Axial slice 105 of 274 of a contrast-enhanced abdominal CT in the arterial phase (slice 1 is the lowest), 120 kVp, kernel B30f; 2.00 mm slice thickness and 0.809 mm pixels.
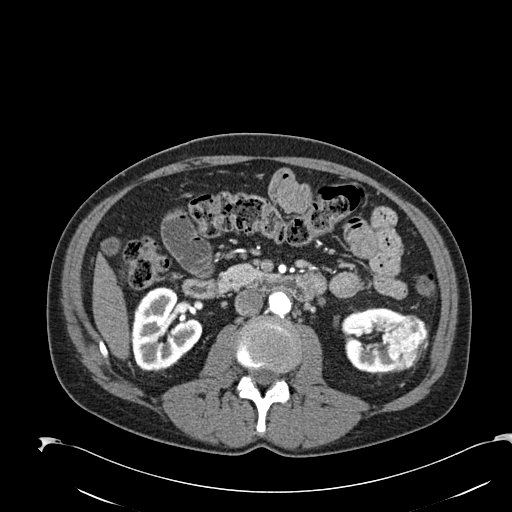
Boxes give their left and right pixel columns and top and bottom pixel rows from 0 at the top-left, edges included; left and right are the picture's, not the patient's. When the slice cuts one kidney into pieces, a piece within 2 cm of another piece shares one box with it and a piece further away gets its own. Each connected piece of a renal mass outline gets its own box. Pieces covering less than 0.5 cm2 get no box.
Boxed on this slice (two kidney boxes and one renal mass box), listed by box centre from the image's left to its right: (1) Box with left 131, top 287, right 202, bottom 371: right kidney (outlined area 4,295 px, about 28.1 cm2). (2) Left kidney, the box with left 342, top 307, right 405, bottom 374 (outlined area 2,755 px, about 18.0 cm2). (3) Left renal mass in the box with left 385, top 315, right 428, bottom 371 (outlined area 1,741 px, about 11.4 cm2).